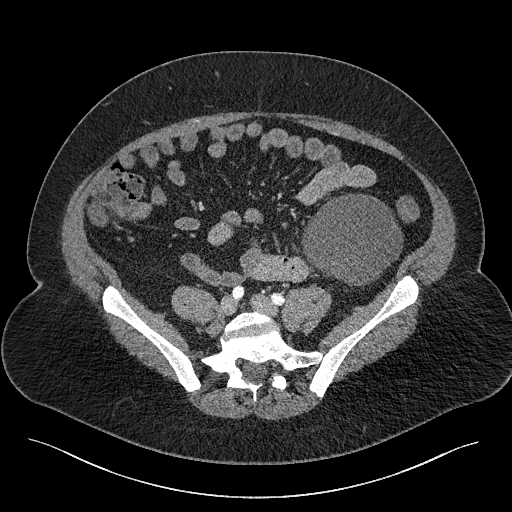
Axial slice 37 of 301 of a contrast-enhanced abdominal CT (slice 1 is the lowest), 120 kVp, kernel I40f; 2.00 mm slice thickness and 0.859 mm pixels.
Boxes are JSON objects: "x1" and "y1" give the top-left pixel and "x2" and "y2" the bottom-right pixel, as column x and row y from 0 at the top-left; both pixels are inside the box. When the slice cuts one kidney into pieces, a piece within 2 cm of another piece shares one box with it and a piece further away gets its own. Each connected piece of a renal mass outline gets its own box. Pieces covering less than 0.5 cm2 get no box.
Box {"x1": 301, "y1": 193, "x2": 403, "y2": 286}: left renal mass (outlined area 6,902 px, about 51.0 cm2); this slice has no kidney outline, though on another slice the same outlined renal mass lies within 1 cm of the kidney.